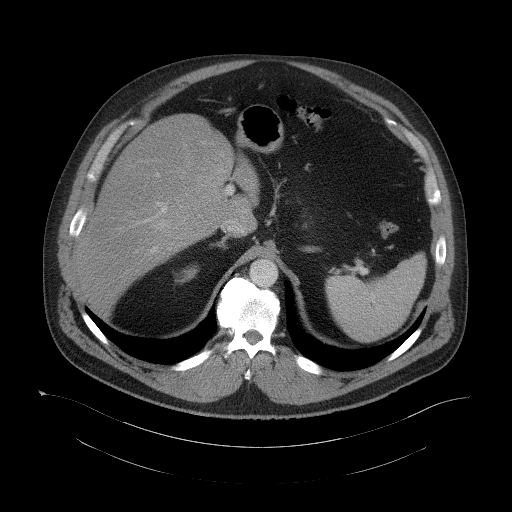
Axial slice 82 of 104 of a contrast-enhanced abdominal CT (slice 1 is the lowest), 120 kVp, kernel B41f; 5.00 mm slice thickness and 0.977 mm pixels.
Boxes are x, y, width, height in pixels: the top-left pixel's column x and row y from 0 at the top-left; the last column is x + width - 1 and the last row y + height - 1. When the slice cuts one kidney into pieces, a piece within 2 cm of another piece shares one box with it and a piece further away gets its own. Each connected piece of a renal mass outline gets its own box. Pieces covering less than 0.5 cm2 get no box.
Right kidney at x 182, y 265, width 17, height 17 (outlined area 179 px, about 1.7 cm2). This slice carries no renal mass outline.